Arterial-phase contrast-enhanced abdominal CT, axial slice 47 of 274 (counted from the lowest slice); tube voltage 120 kVp, convolution kernel B30f; slices 2.00 mm thick, 0.809 mm per pixel.
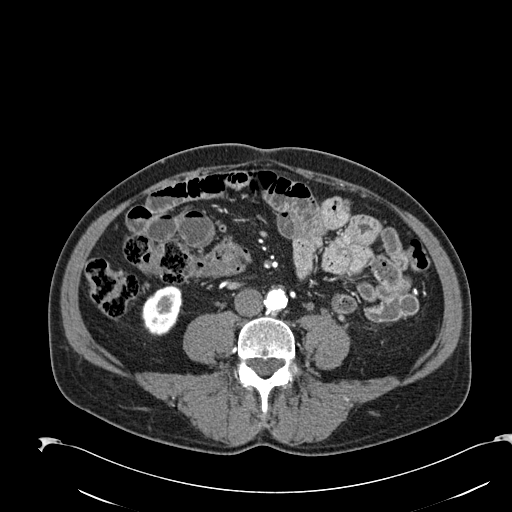
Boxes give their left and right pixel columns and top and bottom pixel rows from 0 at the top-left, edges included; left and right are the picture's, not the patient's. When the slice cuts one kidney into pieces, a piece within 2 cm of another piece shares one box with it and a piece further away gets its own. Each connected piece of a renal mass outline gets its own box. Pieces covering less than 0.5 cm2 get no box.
Box with left 141, top 285, right 182, bottom 335: right kidney (outlined area 1,574 px, about 10.3 cm2). This slice carries no renal mass outline.